One axial slice (311 of 723, counting up from the lowest) of an arterial-phase abdominal CT acquired with 120 kVp, kernel B30f; each pixel is 0.895 mm and the slice is 1.00 mm thick.
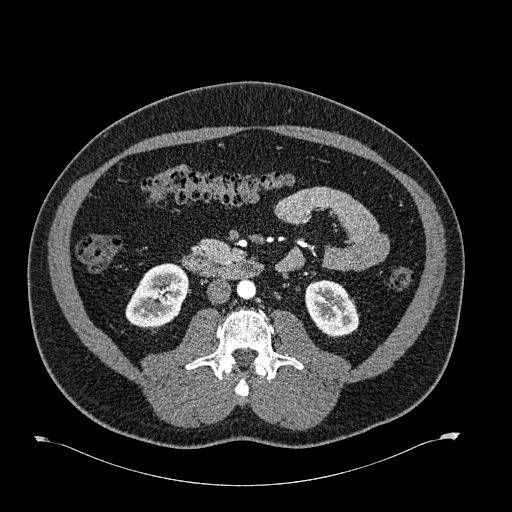
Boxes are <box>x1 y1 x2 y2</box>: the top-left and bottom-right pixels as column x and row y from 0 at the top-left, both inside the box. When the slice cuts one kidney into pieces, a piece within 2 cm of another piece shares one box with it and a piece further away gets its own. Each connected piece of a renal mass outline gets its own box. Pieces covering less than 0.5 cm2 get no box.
Two boxes on this slice (two kidney boxes), listed by box centre from the image's left to its right. (1) Right kidney at <box>125 263 187 328</box> (outlined area 2,991 px, about 23.9 cm2). (2) Left kidney at <box>305 280 359 337</box> (outlined area 2,364 px, about 18.9 cm2). No renal mass is outlined on this slice.